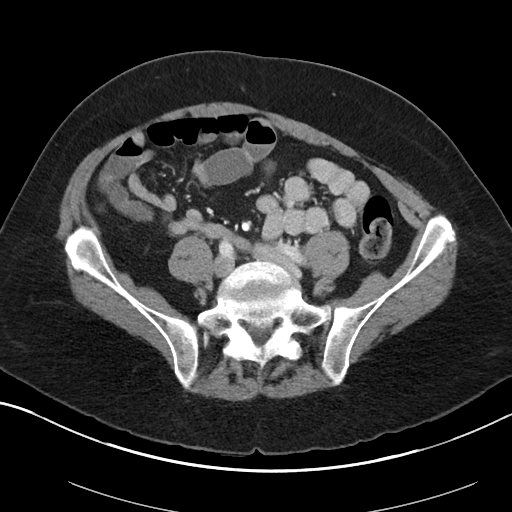
This is axial slice 35 of 88 (slice 1 is the lowest) of an arterial-phase abdominal CT with contrast; each pixel is 0.705 mm and the slice is 5.00 mm thick. This slice carries no outline: it lies beyond the outlined kidneys and beyond every outlined renal mass. Other organs are not outlined in this scan.
Tube voltage 100 kVp; convolution kernel I40f.